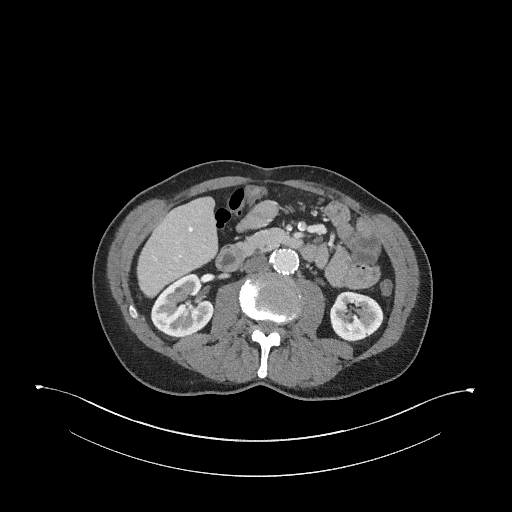
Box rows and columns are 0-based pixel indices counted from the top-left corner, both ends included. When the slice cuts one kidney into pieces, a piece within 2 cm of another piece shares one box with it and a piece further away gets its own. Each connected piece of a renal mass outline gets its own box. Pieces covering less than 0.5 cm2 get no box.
This is axial slice 146 of 345 (slice 1 is the lowest) of an arterial-phase abdominal CT with contrast; each pixel is 0.977 mm and the slice is 2.00 mm thick. Two kidney boxes on this slice; by box centre, from the image's left to its right: (1) Box rows 274–337, columns 150–214: right kidney (outlined area 2,955 px, about 28.2 cm2). (2) Left kidney at rows 291–340, columns 329–383 (outlined area 2,117 px, about 20.2 cm2). This slice carries no renal mass outline.
Scan settings: 120 kVp, I31f reconstruction kernel.